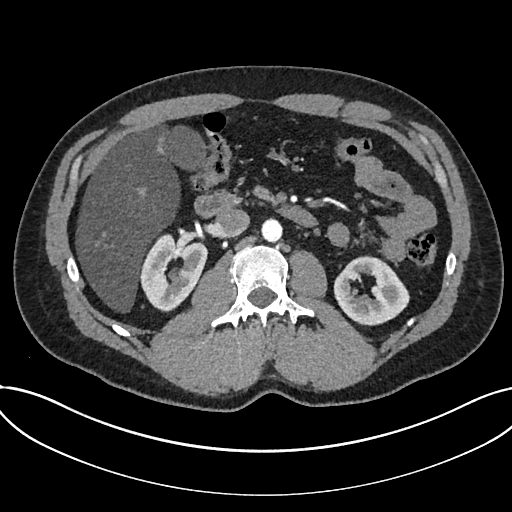
Axial slice 418 of 735 of a contrast-enhanced abdominal CT in the arterial phase (slice 1 is the lowest), 120 kVp, kernel I30f; 1.00 mm slice thickness and 0.789 mm pixels.
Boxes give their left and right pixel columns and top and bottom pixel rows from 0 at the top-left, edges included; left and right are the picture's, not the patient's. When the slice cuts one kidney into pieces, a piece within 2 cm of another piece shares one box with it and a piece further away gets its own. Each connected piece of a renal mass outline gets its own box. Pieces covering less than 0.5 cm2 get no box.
Two boxes on this slice (two kidney boxes), listed by box centre from the image's left to its right. (1) Kidney in the box with left 139, top 233, right 207, bottom 312 (outlined area 3,656 px, about 22.8 cm2). (2) Kidney in the box with left 333, top 255, right 409, bottom 325 (outlined area 3,620 px, about 22.5 cm2). This slice carries no renal mass outline.